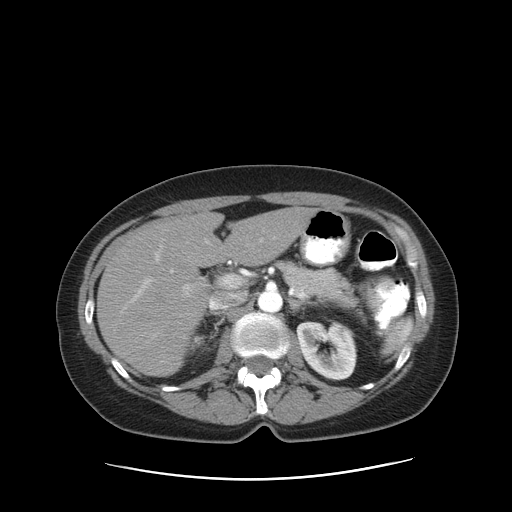
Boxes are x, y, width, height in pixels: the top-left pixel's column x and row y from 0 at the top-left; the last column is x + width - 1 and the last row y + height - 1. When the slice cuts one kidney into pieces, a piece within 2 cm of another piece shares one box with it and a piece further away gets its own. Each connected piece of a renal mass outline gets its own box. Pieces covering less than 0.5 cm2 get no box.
Arterial-phase contrast-enhanced abdominal CT, axial slice 59 of 83 (counted from the lowest slice); 5.00 mm thick, 0.775 mm per pixel. Left kidney at x 296, y 321, width 61, height 60 (outlined area 2,775 px, about 16.7 cm2). No renal mass is outlined on this slice.
Tube voltage 120 kVp; convolution kernel STANDARD.